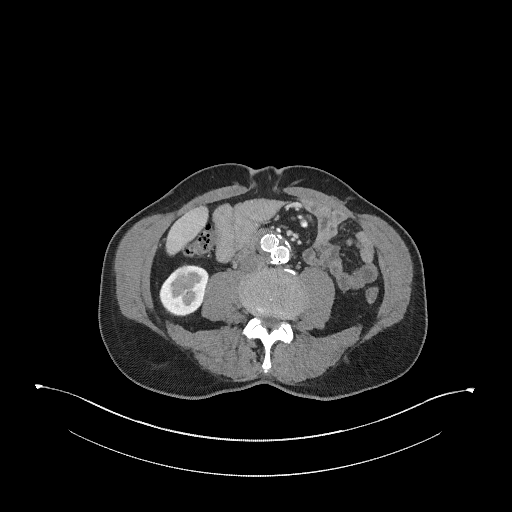
One axial slice (127 of 345, counting up from the lowest) of an arterial-phase abdominal CT acquired with 120 kVp, kernel I31f; each pixel is 0.977 mm and the slice is 2.00 mm thick.
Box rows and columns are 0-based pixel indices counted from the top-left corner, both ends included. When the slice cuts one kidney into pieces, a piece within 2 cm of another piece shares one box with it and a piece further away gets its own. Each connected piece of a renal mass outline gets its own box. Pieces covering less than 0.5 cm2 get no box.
Right kidney at rows 264–316, columns 159–208 (outlined area 1,912 px, about 18.2 cm2).